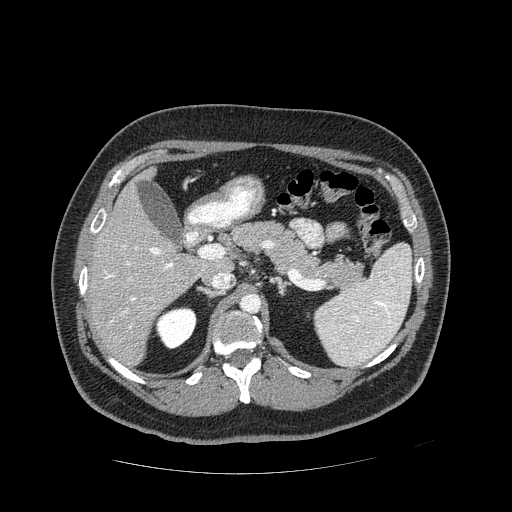
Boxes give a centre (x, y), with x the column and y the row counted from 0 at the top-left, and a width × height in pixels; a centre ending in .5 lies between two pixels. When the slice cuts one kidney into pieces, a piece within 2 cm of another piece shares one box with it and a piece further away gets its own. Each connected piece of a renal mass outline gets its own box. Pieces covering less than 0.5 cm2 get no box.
This is axial slice 289 of 389 (slice 1 is the lowest) of an arterial-phase abdominal CT with contrast; each pixel is 0.869 mm and the slice is 1.25 mm thick. Right kidney, box centre (175, 327.5), 45 × 44 pixels (outlined area 1,344 px, about 10.2 cm2). No renal mass outline on this slice.
Acquired at 120 kVp and reconstructed with the STANDARD kernel.